One axial slice (165 of 270, counting up from the lowest) of an arterial-phase abdominal CT acquired with 100 kVp, kernel I40f; each pixel is 0.855 mm and the slice is 2.00 mm thick.
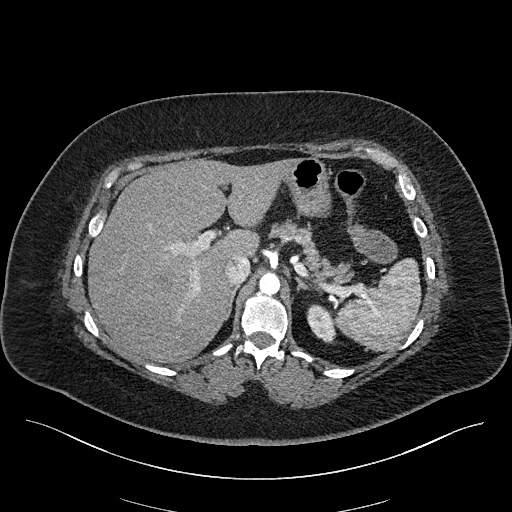
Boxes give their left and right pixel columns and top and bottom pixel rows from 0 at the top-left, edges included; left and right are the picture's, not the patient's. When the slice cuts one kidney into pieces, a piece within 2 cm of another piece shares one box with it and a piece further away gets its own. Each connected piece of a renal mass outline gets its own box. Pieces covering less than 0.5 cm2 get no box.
Left kidney, the box with left 307, top 304, right 336, bottom 343 (outlined area 817 px, about 6.0 cm2). No renal mass outline on this slice.